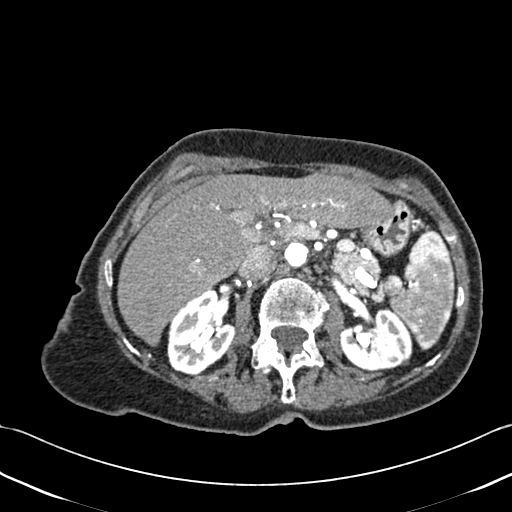
One axial slice (276 of 433, counting up from the lowest) of a contrast-enhanced abdominal CT acquired with 120 kVp, kernel B30f; each pixel is 0.672 mm and the slice is 1.00 mm thick.
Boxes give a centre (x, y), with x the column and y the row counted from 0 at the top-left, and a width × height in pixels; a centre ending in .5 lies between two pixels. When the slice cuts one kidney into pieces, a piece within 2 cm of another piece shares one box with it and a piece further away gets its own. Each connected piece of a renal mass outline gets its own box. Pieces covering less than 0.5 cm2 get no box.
Two boxes on this slice (two kidney boxes), listed by box centre from the image's left to its right. (1) Right kidney, box centre (201, 332), 69 × 85 pixels (outlined area 4,121 px, about 18.6 cm2). (2) Left kidney, box centre (375.5, 340), 74 × 63 pixels (outlined area 3,444 px, about 15.5 cm2). No renal mass outline on this slice.